Axial slice 204 of 316 of a contrast-enhanced abdominal CT in the arterial phase (slice 1 is the lowest), 100 kVp, kernel I40f; 2.00 mm slice thickness and 0.840 mm pixels.
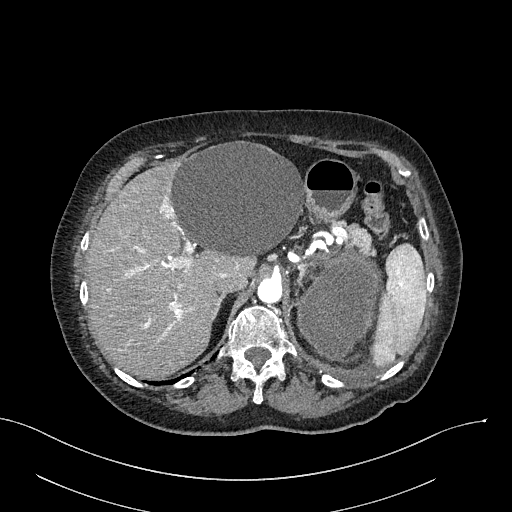
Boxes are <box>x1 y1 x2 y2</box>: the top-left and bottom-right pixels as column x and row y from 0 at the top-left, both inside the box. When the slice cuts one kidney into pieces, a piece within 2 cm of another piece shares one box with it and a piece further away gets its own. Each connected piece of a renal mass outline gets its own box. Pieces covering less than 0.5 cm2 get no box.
Left renal mass at <box>297 251 380 360</box> (outlined area 6,612 px, about 46.6 cm2); no kidney is outlined on this slice, but the same outlined renal mass comes within 1 cm of the kidney on another slice.